Abdominal CT with intravenous contrast, arterial phase, axial plane, 120 kVp, kernel I26f. Slice 668/987 from the bottom of the scan; thickness 1.00 mm; pixel size 0.977 mm.
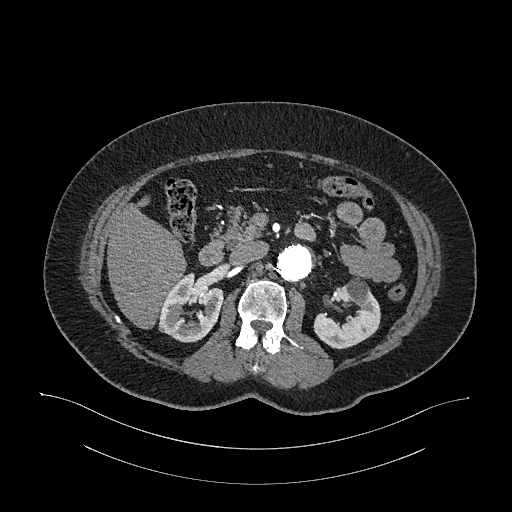
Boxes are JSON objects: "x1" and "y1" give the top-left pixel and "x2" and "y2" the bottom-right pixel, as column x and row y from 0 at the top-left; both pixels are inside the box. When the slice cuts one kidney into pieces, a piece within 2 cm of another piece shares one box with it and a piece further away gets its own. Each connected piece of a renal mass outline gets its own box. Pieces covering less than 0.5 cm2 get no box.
Two boxes on this slice (two kidney boxes), listed by box centre from the image's left to its right. (1) Right kidney at {"x1": 158, "y1": 273, "x2": 222, "y2": 342} (outlined area 3,140 px, about 29.9 cm2). (2) Left kidney at {"x1": 313, "y1": 276, "x2": 380, "y2": 349} (outlined area 2,995 px, about 28.6 cm2). This slice carries no renal mass outline.